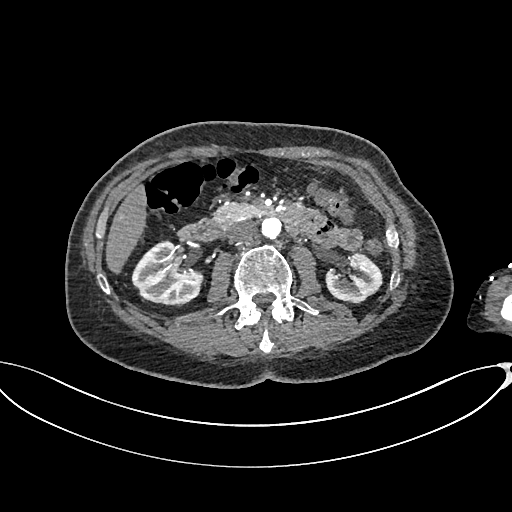
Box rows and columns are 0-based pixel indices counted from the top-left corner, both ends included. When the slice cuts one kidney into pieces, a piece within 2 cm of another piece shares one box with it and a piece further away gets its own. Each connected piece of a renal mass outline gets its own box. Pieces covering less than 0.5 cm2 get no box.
Slice 380/665 of a contrast-enhanced abdominal CT in the arterial phase, counting up from the lowest; pixel size 0.828 mm, slice thickness 1.00 mm. Two kidney boxes on this slice; by box centre, from the image's left to its right: (1) Box rows 240–306, columns 131–203: right kidney (outlined area 3,355 px, about 23.0 cm2). (2) Left kidney at rows 253–303, columns 325–382 (outlined area 2,122 px, about 14.6 cm2). No renal mass is outlined on this slice.
Tube voltage 100 kVp; convolution kernel I26f.